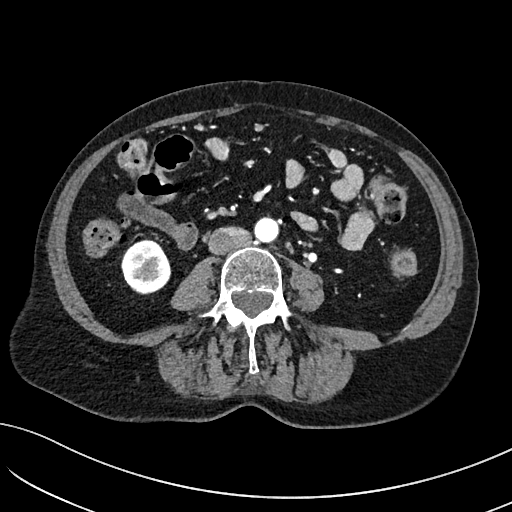
One axial slice (16 of 234, counting up from the lowest) of an arterial-phase abdominal CT acquired with 100 kVp, kernel I40f; each pixel is 0.699 mm and the slice is 2.00 mm thick.
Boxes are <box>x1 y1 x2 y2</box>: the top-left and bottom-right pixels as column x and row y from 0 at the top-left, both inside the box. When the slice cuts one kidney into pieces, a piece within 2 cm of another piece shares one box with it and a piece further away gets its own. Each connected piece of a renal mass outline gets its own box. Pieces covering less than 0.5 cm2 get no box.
Right kidney at <box>121 239 171 294</box> (outlined area 2,122 px, about 10.4 cm2). No renal mass is outlined on this slice.